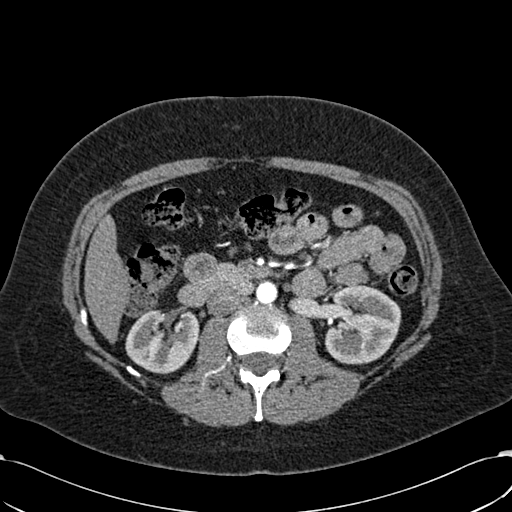
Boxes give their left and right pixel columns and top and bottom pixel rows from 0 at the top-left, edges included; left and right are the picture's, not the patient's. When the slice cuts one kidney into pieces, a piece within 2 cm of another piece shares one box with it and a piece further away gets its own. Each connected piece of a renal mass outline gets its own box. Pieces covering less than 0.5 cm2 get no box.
This is axial slice 338 of 532 (slice 1 is the lowest) of an arterial-phase abdominal CT with contrast; each pixel is 0.713 mm and the slice is 1.00 mm thick. Two kidney boxes on this slice; by box centre, from the image's left to its right: (1) Box with left 125, top 308, right 199, bottom 373: right kidney (outlined area 3,753 px, about 19.1 cm2). (2) Box with left 325, top 284, right 401, bottom 364: left kidney (outlined area 4,876 px, about 24.8 cm2). This slice carries no renal mass outline.
Acquired at 120 kVp and reconstructed with the B30f kernel.